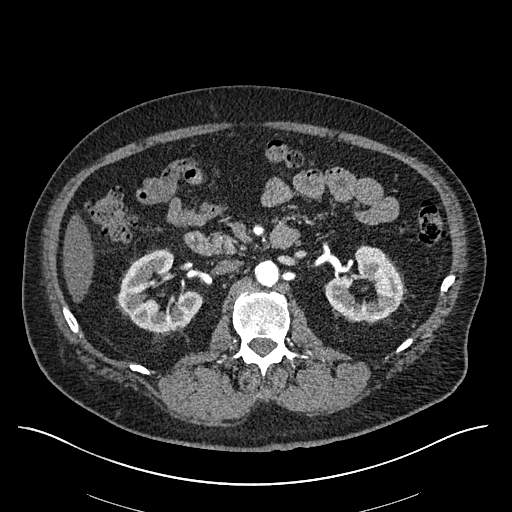
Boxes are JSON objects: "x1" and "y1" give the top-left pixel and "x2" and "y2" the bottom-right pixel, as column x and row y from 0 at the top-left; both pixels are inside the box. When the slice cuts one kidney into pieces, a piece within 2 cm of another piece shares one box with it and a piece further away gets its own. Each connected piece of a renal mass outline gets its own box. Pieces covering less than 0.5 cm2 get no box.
Slice 340/670 of a contrast-enhanced abdominal CT in the arterial phase, counting up from the lowest; pixel size 0.861 mm, slice thickness 1.00 mm. Boxed on this slice (two kidney boxes), listed by box centre from the image's left to its right: (1) Right kidney at {"x1": 117, "y1": 249, "x2": 201, "y2": 332} (outlined area 4,283 px, about 31.8 cm2). (2) Box {"x1": 324, "y1": 245, "x2": 402, "y2": 320}: left kidney (outlined area 3,804 px, about 28.2 cm2). This slice carries no renal mass outline.
Acquired at 120 kVp and reconstructed with the I30f kernel.